One axial slice (114 of 262, counting up from the lowest) of an arterial-phase abdominal CT acquired with 120 kVp, kernel STANDARD; each pixel is 0.703 mm and the slice is 2.50 mm thick.
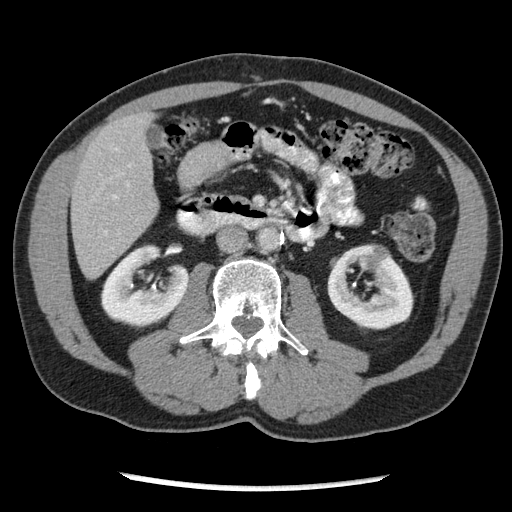
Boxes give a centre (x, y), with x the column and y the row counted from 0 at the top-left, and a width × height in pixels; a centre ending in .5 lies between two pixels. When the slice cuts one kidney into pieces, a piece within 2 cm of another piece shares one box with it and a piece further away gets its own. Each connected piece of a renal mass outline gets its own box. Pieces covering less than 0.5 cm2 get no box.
Boxed on this slice (two kidney boxes and one renal mass box), listed by box centre from the image's left to its right: (1) Right kidney, box centre (144.5, 286.5), 90 × 86 pixels (outlined area 5,034 px, about 24.9 cm2). (2) Box centre (370.5, 286.5), 88 × 88 pixels: left kidney (outlined area 4,865 px, about 24.1 cm2). (3) Left renal mass, box centre (373.5, 259), 34 × 31 pixels (outlined area 541 px, about 2.7 cm2).